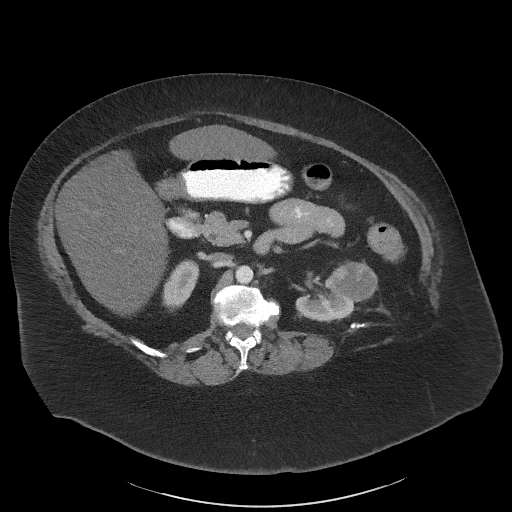
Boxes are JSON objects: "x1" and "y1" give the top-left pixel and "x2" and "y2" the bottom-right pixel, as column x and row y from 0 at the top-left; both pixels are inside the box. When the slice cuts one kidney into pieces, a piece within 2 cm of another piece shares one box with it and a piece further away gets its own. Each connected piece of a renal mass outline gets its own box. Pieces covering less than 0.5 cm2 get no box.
Slice 37/61 of a contrast-enhanced abdominal CT in the arterial phase, counting up from the lowest; pixel size 0.947 mm, slice thickness 3.00 mm. Boxed on this slice (two kidney boxes and one renal mass box), listed by box centre from the image's left to its right: (1) Right kidney at {"x1": 162, "y1": 259, "x2": 199, "y2": 310} (outlined area 1,306 px, about 11.7 cm2). (2) Box {"x1": 295, "y1": 277, "x2": 355, "y2": 322}: left kidney (outlined area 1,686 px, about 15.1 cm2). (3) Box {"x1": 329, "y1": 261, "x2": 377, "y2": 302}: left renal mass (outlined area 1,480 px, about 13.3 cm2).
Scan settings: 140 kVp, I41f reconstruction kernel.